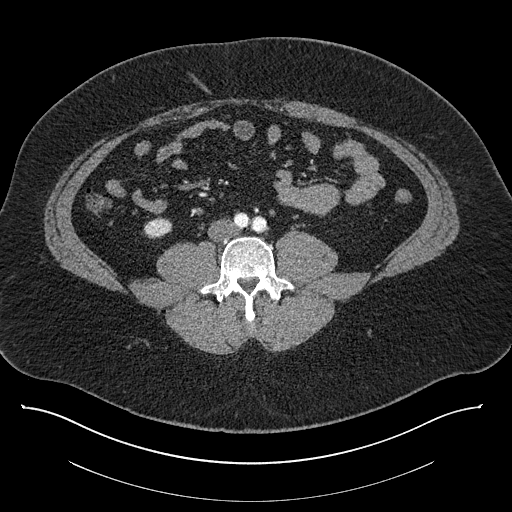
Abdominal CT with intravenous contrast, axial plane, 140 kVp, kernel I30f. Slice 321/787 from the bottom of the scan; thickness 1.00 mm; pixel size 0.910 mm.
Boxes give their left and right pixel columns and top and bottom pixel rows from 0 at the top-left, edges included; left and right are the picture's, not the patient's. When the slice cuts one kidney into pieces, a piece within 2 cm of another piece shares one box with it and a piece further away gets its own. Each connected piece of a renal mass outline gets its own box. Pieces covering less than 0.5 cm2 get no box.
Right kidney, the box with left 143, top 216, right 172, bottom 238 (outlined area 486 px, about 4.0 cm2). This slice carries no renal mass outline.